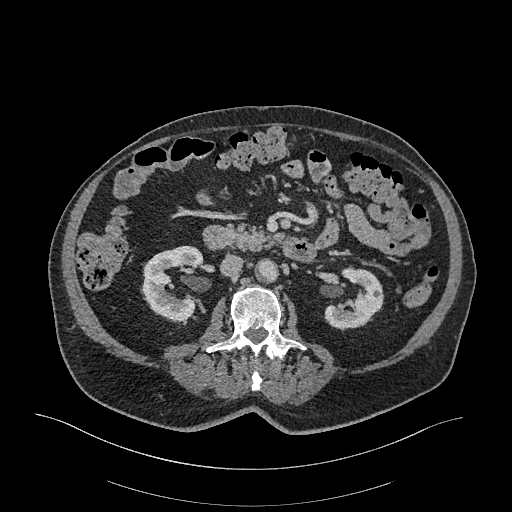
One axial slice (147 of 470, counting up from the lowest) of an arterial-phase abdominal CT acquired with 120 kVp, kernel I26f; each pixel is 0.938 mm and the slice is 1.00 mm thick.
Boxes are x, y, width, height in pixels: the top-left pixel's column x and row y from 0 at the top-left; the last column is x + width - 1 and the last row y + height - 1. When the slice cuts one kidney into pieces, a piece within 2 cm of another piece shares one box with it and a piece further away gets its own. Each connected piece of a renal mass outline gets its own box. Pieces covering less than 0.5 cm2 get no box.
Two kidney boxes on this slice; by box centre, from the image's left to its right: (1) Right kidney at x 140, y 245, width 64, height 77 (outlined area 3,281 px, about 28.8 cm2). (2) Box x 324, y 266, width 60, height 65: left kidney (outlined area 2,420 px, about 21.3 cm2). No renal mass is outlined on this slice.